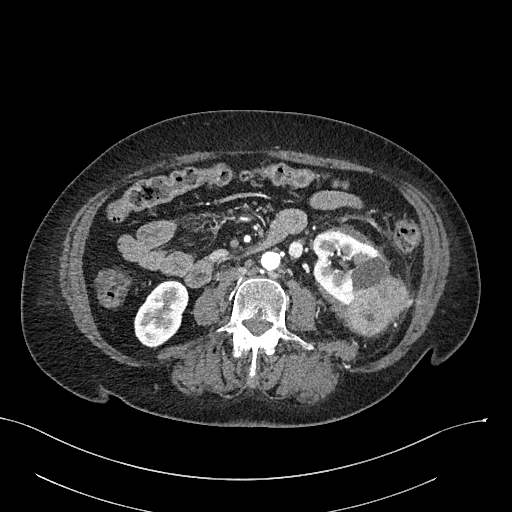
One axial slice (101 of 316, counting up from the lowest) of an arterial-phase abdominal CT acquired with 100 kVp, kernel I40f; each pixel is 0.840 mm and the slice is 2.00 mm thick.
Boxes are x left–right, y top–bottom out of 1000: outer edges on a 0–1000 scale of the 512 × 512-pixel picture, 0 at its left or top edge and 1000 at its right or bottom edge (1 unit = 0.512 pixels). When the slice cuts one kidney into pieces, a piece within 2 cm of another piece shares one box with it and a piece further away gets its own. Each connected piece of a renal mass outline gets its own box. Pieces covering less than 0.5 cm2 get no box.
Three boxes on this slice (two kidney boxes and one renal mass box), listed by box centre from the image's left to its right. (1) Right kidney at x 262–369, y 547–680 out of 1000 (outlined area 2,585 px, about 18.2 cm2). (2) Left kidney at x 611–762, y 451–596 out of 1000 (outlined area 3,647 px, about 25.7 cm2). (3) Box x 678–803, y 537–656 out of 1000: left renal mass (outlined area 2,686 px, about 18.9 cm2).